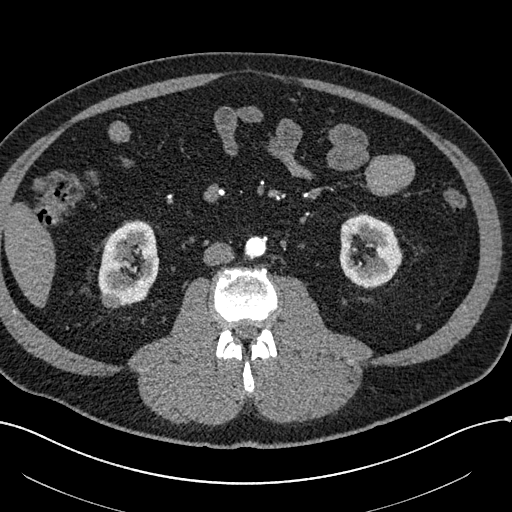
Abdominal CT with intravenous contrast, arterial phase, axial plane, 120 kVp, kernel I30f. Slice 258/602 from the bottom of the scan; thickness 1.00 mm; pixel size 0.799 mm.
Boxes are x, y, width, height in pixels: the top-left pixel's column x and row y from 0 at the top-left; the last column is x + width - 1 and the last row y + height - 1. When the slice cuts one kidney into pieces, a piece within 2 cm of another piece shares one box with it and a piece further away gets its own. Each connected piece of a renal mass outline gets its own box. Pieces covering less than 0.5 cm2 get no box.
Three boxes on this slice (two kidney boxes and one renal mass box), listed by box centre from the image's left to its right. (1) Box x 101, y 292, width 20, height 17: right renal mass (outlined area 273 px, about 1.7 cm2). (2) Right kidney, box x 98, y 220, width 61, height 86 (outlined area 3,781 px, about 24.1 cm2). (3) Left kidney at x 339, y 213, width 64, height 77 (outlined area 3,491 px, about 22.3 cm2).